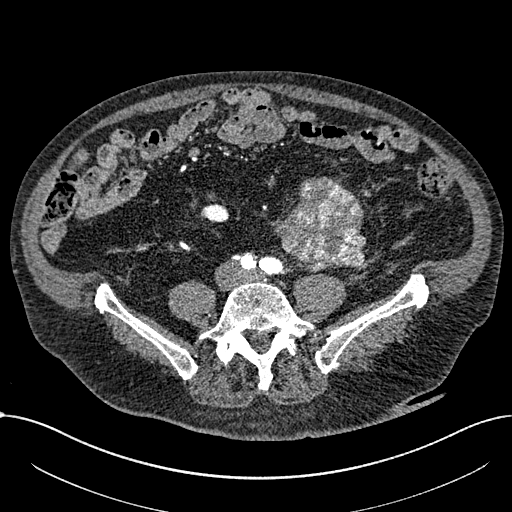
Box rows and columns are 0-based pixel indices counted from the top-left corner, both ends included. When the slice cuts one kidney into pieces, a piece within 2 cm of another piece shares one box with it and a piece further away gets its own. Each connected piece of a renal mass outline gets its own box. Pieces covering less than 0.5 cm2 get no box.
This is axial slice 198 of 1059 (slice 1 is the lowest) of an arterial-phase abdominal CT with contrast; each pixel is 0.811 mm and the slice is 1.00 mm thick. Boxed on this slice (one kidney box and one renal mass box), listed by box centre from the image's left to its right: (1) Right part of the midline-crossing kidney at rows 204–222, columns 201–228 (outlined area 414 px, about 2.7 cm2). (2) Renal mass at rows 177–269, columns 274–365 (outlined area 6,144 px, about 40.4 cm2); on this slice it lies more than 1 cm from any kidney outline, but the same outlined renal mass comes within 1 cm of the kidney on another slice.
Tube voltage 100 kVp; convolution kernel I30f.